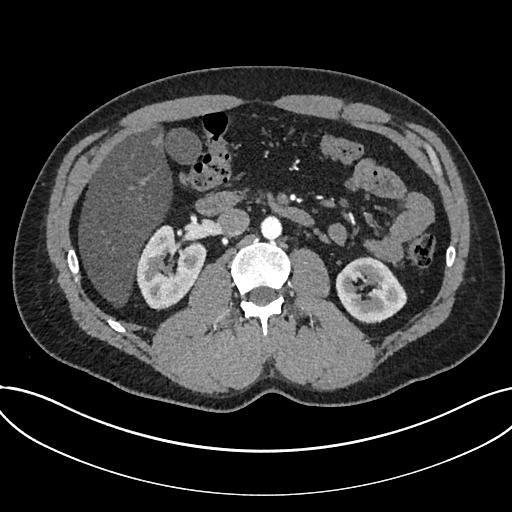
Axial slice 408 of 735 of a contrast-enhanced abdominal CT in the arterial phase (slice 1 is the lowest), 120 kVp, kernel I30f; 1.00 mm slice thickness and 0.789 mm pixels.
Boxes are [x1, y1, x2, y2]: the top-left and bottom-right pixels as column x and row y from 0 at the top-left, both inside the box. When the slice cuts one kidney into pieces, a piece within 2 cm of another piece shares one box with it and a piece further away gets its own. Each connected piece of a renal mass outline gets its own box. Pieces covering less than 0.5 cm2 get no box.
Two kidney boxes on this slice; by box centre, from the image's left to its right: (1) Kidney at [135, 225, 206, 310] (outlined area 4,155 px, about 25.9 cm2). (2) Kidney at [335, 256, 407, 323] (outlined area 3,390 px, about 21.1 cm2). No renal mass outline on this slice.